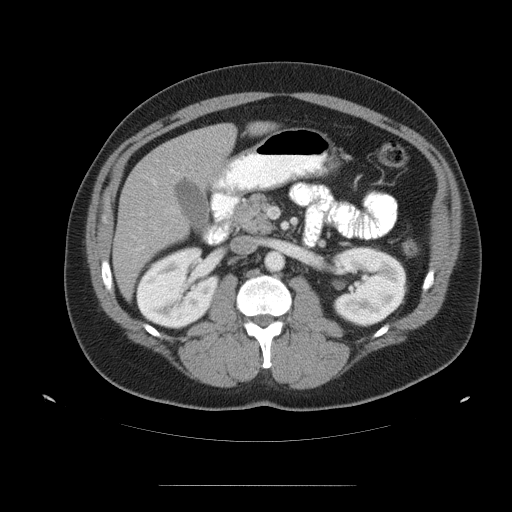
Abdominal CT with intravenous contrast, axial plane, 120 kVp, kernel STANDARD. Slice 68/99 from the bottom of the scan; thickness 5.00 mm; pixel size 0.938 mm.
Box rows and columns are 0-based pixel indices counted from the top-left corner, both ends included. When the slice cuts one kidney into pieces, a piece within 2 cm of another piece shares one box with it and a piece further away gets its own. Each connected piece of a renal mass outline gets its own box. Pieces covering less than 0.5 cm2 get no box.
Boxed on this slice (two kidney boxes), listed by box centre from the image's left to its right: (1) Right kidney, box rows 246–329, columns 136–221 (outlined area 5,207 px, about 45.8 cm2). (2) Left kidney at rows 246–326, columns 329–407 (outlined area 4,960 px, about 43.6 cm2). No renal mass is outlined on this slice.